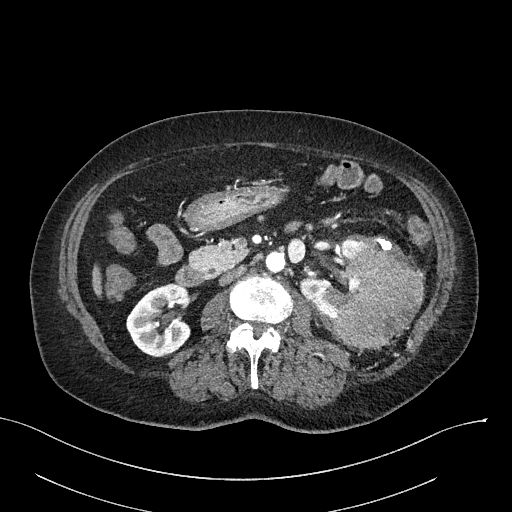
Axial slice 123 of 316 of a contrast-enhanced abdominal CT in the arterial phase (slice 1 is the lowest), 100 kVp, kernel I40f; 2.00 mm slice thickness and 0.840 mm pixels.
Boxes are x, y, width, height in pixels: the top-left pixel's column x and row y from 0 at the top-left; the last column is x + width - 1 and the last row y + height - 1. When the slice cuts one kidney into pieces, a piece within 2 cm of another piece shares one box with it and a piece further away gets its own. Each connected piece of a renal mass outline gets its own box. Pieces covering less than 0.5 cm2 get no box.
Three boxes on this slice (two kidney boxes and one renal mass box), listed by box centre from the image's left to its right. (1) Right kidney, box x 126, y 283, width 66, height 75 (outlined area 3,479 px, about 24.5 cm2). (2) Left kidney, box x 299, y 236, width 74, height 86 (outlined area 2,568 px, about 18.1 cm2). (3) Box x 333, y 240, width 92, height 109: left renal mass (outlined area 6,769 px, about 47.7 cm2).